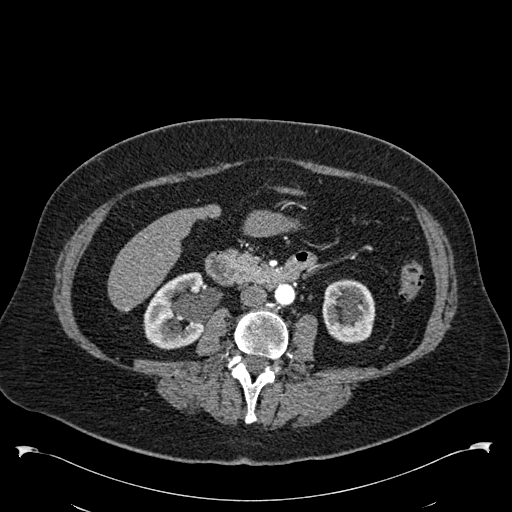
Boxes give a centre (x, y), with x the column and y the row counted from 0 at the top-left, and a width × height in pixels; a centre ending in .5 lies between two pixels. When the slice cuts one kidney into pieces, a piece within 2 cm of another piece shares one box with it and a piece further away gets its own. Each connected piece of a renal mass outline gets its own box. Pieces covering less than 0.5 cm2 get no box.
Arterial-phase contrast-enhanced abdominal CT, axial slice 276 of 538 (counted from the lowest slice); 1.00 mm thick, 0.811 mm per pixel. Two kidney boxes on this slice; by box centre, from the image's left to its right: (1) Right kidney in a box with centre (173, 310.5), 61 × 78 pixels (outlined area 3,653 px, about 24.0 cm2). (2) Left kidney, box centre (348.5, 311), 54 × 65 pixels (outlined area 2,821 px, about 18.5 cm2). This slice carries no renal mass outline.
Tube voltage 120 kVp; convolution kernel B30f.